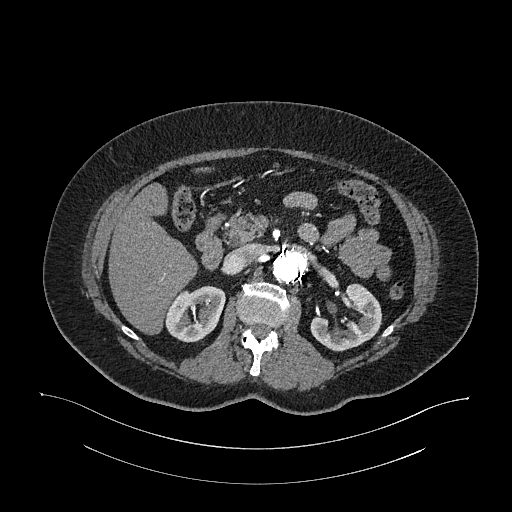
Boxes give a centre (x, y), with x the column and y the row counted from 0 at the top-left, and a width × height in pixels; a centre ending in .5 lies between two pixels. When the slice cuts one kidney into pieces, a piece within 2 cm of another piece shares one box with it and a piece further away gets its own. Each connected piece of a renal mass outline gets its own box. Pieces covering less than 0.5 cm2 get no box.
Slice 688/987 of a contrast-enhanced abdominal CT in the arterial phase, counting up from the lowest; pixel size 0.977 mm, slice thickness 1.00 mm. Two boxes on this slice (two kidney boxes), listed by box centre from the image's left to its right. (1) Right kidney in a box with centre (194.5, 313.5), 62 × 58 pixels (outlined area 2,549 px, about 24.3 cm2). (2) Left kidney, box centre (345.5, 317), 72 × 69 pixels (outlined area 2,853 px, about 27.2 cm2). No renal mass outline on this slice.
Tube voltage 120 kVp; convolution kernel I26f.